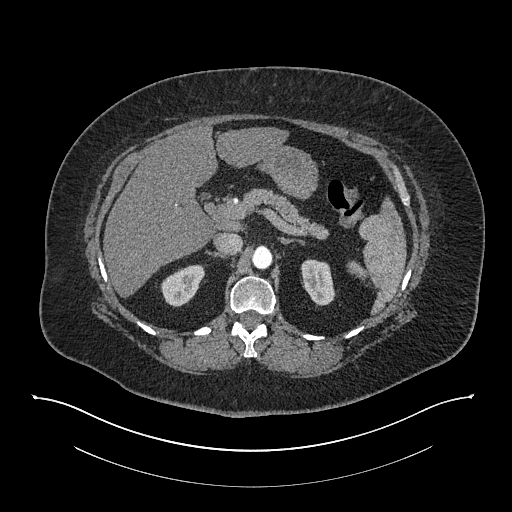
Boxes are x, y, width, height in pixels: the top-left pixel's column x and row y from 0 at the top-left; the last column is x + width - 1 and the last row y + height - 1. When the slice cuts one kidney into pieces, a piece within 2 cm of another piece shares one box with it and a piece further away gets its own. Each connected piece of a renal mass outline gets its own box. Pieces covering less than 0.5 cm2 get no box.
Arterial-phase contrast-enhanced abdominal CT, axial slice 554 of 673 (counted from the lowest slice); 1.00 mm thick, 0.957 mm per pixel. Boxed on this slice (two kidney boxes), listed by box centre from the image's left to its right: (1) Right kidney, box x 160, y 264, width 46, height 44 (outlined area 1,289 px, about 11.8 cm2). (2) Left kidney, box x 301, y 259, width 35, height 47 (outlined area 1,237 px, about 11.3 cm2). This slice carries no renal mass outline.
Tube voltage 140 kVp; convolution kernel I30f.